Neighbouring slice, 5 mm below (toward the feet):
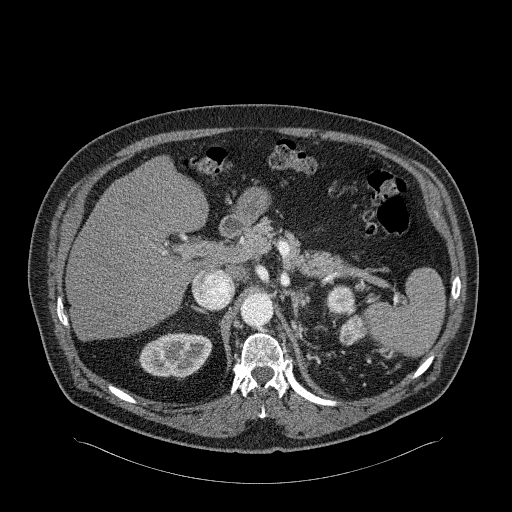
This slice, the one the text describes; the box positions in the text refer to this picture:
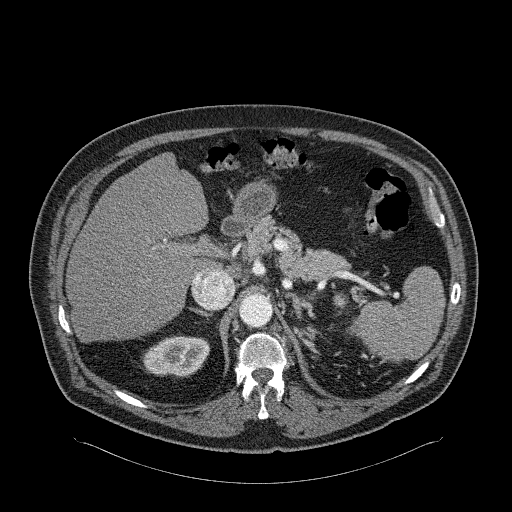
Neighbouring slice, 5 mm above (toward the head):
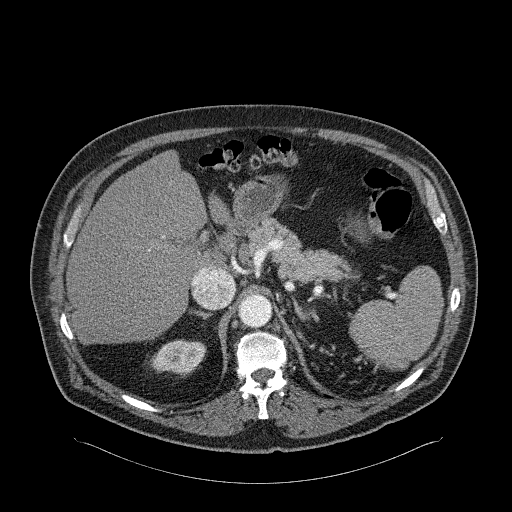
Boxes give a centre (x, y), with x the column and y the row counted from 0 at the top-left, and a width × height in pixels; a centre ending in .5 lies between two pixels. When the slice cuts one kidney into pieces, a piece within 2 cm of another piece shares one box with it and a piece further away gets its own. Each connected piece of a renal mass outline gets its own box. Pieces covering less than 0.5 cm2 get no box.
Arterial-phase contrast-enhanced abdominal CT, axial slice 191 of 326 (counted from the lowest slice); 2.00 mm thick, 0.963 mm per pixel. Two boxes on this slice (one kidney box and one renal mass box), listed by box centre from the image's left to its right. (1) Right kidney in a box with centre (176, 356), 69 × 43 pixels (outlined area 2,203 px, about 20.4 cm2). (2) Left renal mass, box centre (338.5, 299.5), 12 × 12 pixels (outlined area 118 px, about 1.1 cm2); here it is more than 1 cm from any kidney outline, though on another slice the same outlined renal mass lies within 1 cm of the kidney. This slice is near the end of the left renal mass toward the head, so the slices 5 mm below and 5 mm above it are shown as well; the boxes refer to this slice only.
Acquired at 120 kVp and reconstructed with the B31f kernel.